Axial slice 539 of 719 of a contrast-enhanced abdominal CT in the arterial phase (slice 1 is the lowest), 120 kVp, kernel B20f; 1.00 mm slice thickness and 0.766 mm pixels.
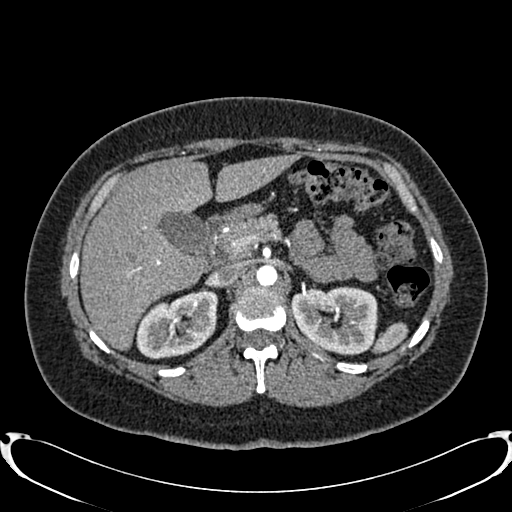
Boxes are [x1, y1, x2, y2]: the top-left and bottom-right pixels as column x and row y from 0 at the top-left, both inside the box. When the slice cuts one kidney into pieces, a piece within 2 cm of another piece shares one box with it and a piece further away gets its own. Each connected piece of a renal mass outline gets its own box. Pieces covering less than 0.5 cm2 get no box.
Boxed on this slice (two kidney boxes), listed by box centre from the image's left to its right: (1) Right kidney, box [136, 288, 217, 359] (outlined area 4,144 px, about 24.3 cm2). (2) Left kidney at [290, 286, 377, 355] (outlined area 4,719 px, about 27.7 cm2).